Arterial-phase contrast-enhanced abdominal CT, axial slice 34 of 121 (counted from the lowest slice); tube voltage 120 kVp, convolution kernel STANDARD; slices 2.50 mm thick, 0.861 mm per pixel.
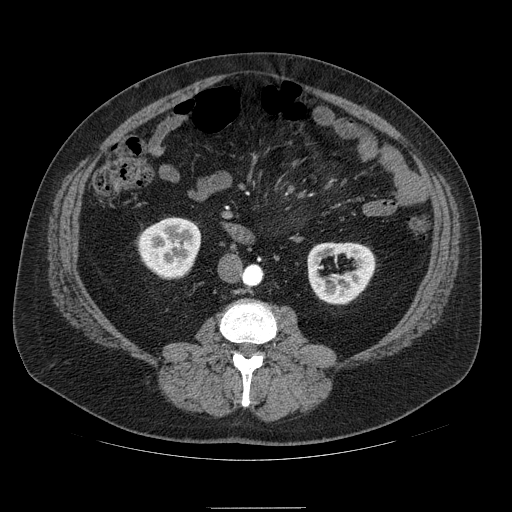
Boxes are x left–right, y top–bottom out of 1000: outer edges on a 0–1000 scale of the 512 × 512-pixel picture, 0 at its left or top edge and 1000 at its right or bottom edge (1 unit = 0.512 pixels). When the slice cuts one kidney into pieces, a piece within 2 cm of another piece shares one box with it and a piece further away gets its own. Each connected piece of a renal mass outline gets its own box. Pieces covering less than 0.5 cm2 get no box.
Boxed on this slice (two kidney boxes), listed by box centre from the image's left to its right: (1) Right kidney at x 268–393, y 424–547 out of 1000 (outlined area 3,039 px, about 22.5 cm2). (2) Left kidney at x 600–734, y 473–596 out of 1000 (outlined area 2,996 px, about 22.2 cm2). This slice carries no renal mass outline.